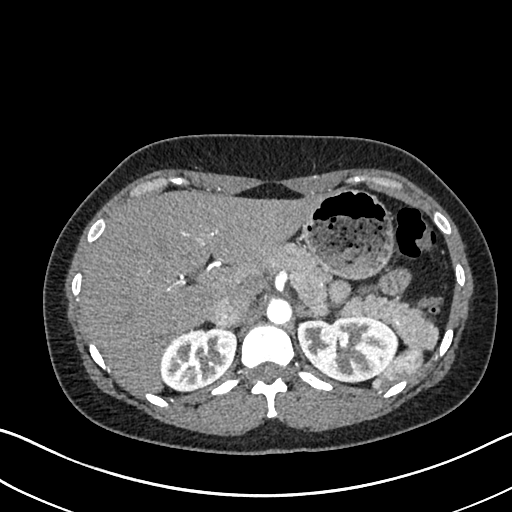
Abdominal CT with intravenous contrast, arterial phase, axial plane, 120 kVp, kernel I30f. Slice 504/612 from the bottom of the scan; thickness 1.00 mm; pixel size 0.703 mm.
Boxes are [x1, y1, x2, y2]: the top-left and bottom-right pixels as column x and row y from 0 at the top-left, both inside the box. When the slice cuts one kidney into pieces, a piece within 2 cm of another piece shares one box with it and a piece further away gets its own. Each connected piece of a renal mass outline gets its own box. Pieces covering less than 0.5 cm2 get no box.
Boxed on this slice (two kidney boxes), listed by box centre from the image's left to its right: (1) Box [160, 328, 235, 391]: right kidney (outlined area 3,736 px, about 18.5 cm2). (2) Left kidney at [296, 316, 397, 382] (outlined area 5,269 px, about 26.0 cm2). This slice carries no renal mass outline.